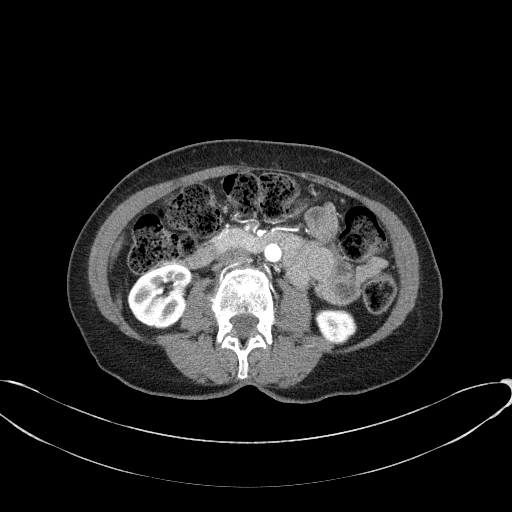
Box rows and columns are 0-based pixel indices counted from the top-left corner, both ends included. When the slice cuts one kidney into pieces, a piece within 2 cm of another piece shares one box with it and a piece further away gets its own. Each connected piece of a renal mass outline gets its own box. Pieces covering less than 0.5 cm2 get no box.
Slice 24/77 of a contrast-enhanced abdominal CT in the arterial phase, counting up from the lowest; pixel size 0.809 mm, slice thickness 3.00 mm. Two kidney boxes on this slice; by box centre, from the image's left to its right: (1) Box rows 264–329, columns 127–192: right kidney (outlined area 3,140 px, about 20.5 cm2). (2) Box rows 309–344, columns 315–356: left kidney (outlined area 1,164 px, about 7.6 cm2). No renal mass is outlined on this slice.
Acquired at 100 kVp and reconstructed with the B41f kernel.